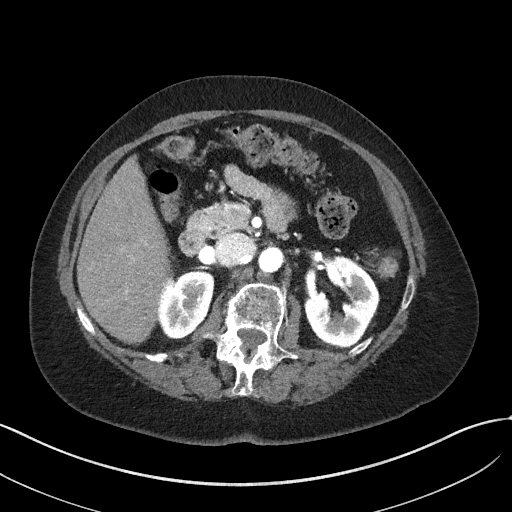
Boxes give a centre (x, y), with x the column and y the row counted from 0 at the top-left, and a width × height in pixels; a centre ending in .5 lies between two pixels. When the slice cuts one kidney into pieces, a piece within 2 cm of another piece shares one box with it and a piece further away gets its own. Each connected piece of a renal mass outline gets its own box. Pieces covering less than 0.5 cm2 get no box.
Slice 30/50 of a contrast-enhanced abdominal CT in the arterial phase, counting up from the lowest; pixel size 0.758 mm, slice thickness 3.00 mm. Two boxes on this slice (two kidney boxes), listed by box centre from the image's left to its right. (1) Right kidney in a box with centre (185, 304), 59 × 71 pixels (outlined area 2,898 px, about 16.6 cm2). (2) Box centre (341.5, 301.5), 76 × 94 pixels: left kidney (outlined area 4,498 px, about 25.8 cm2). No renal mass outline on this slice.
Acquired at 100 kVp and reconstructed with the I41f kernel.